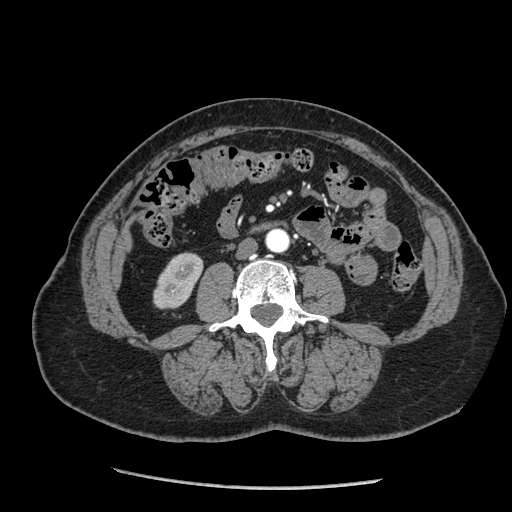
Axial slice 89 of 233 of a contrast-enhanced abdominal CT in the arterial phase (slice 1 is the lowest), 120 kVp, kernel STANDARD; 1.25 mm slice thickness and 0.703 mm pixels.
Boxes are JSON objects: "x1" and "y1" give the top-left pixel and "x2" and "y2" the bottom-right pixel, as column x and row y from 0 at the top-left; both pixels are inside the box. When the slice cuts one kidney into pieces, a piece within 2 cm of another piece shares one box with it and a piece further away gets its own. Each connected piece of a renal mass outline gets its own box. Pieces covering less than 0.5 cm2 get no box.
Right kidney at {"x1": 153, "y1": 253, "x2": 203, "y2": 309} (outlined area 1,986 px, about 9.8 cm2). No renal mass outline on this slice.